Axial slice 145 of 262 of a contrast-enhanced abdominal CT in the arterial phase (slice 1 is the lowest), 120 kVp, kernel STANDARD; 2.50 mm slice thickness and 0.703 mm pixels.
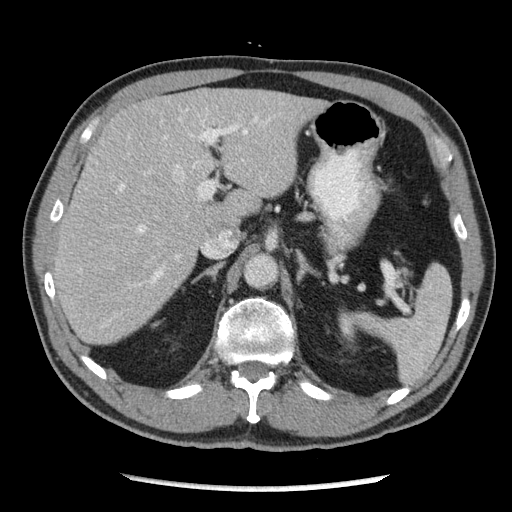
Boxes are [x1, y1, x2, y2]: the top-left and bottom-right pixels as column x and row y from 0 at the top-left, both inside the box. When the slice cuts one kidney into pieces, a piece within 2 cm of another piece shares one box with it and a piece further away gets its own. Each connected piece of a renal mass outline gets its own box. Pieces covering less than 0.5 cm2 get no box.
Left kidney, box [337, 309, 355, 340] (outlined area 368 px, about 1.8 cm2). No renal mass outline on this slice.